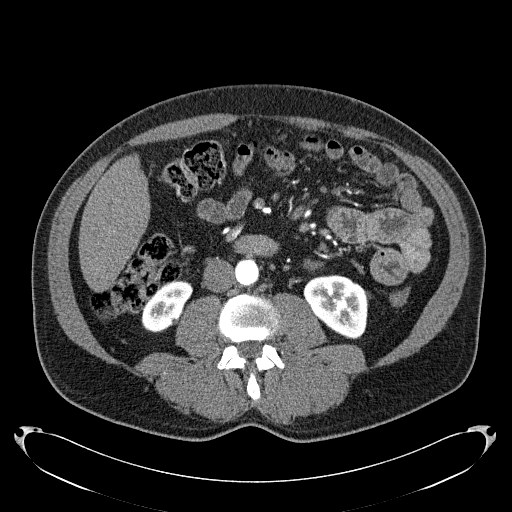
Axial slice 82 of 279 of a contrast-enhanced abdominal CT in the arterial phase (slice 1 is the lowest), 120 kVp, kernel B31f; 2.00 mm slice thickness and 0.824 mm pixels.
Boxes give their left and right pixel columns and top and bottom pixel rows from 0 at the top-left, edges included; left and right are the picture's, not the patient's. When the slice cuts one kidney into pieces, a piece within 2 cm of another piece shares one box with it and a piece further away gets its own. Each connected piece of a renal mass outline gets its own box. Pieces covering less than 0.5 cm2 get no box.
Boxed on this slice (two kidney boxes), listed by box centre from the image's left to its right: (1) Box with left 141, top 279, right 192, bottom 332: right kidney (outlined area 1,792 px, about 12.2 cm2). (2) Left kidney, the box with left 303, top 275, right 368, bottom 339 (outlined area 3,097 px, about 21.0 cm2). This slice carries no renal mass outline.